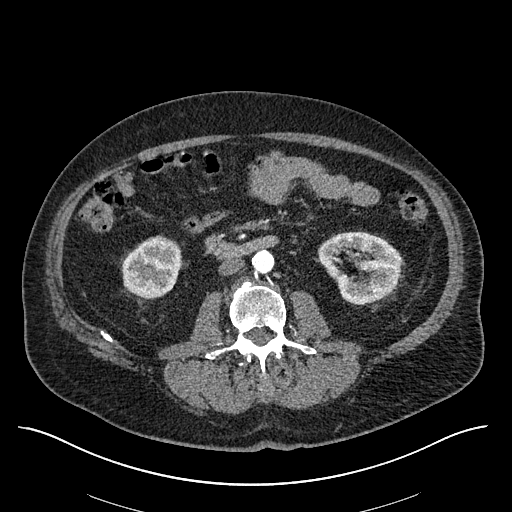
One axial slice (277 of 670, counting up from the lowest) of an arterial-phase abdominal CT acquired with 120 kVp, kernel I30f; each pixel is 0.861 mm and the slice is 1.00 mm thick.
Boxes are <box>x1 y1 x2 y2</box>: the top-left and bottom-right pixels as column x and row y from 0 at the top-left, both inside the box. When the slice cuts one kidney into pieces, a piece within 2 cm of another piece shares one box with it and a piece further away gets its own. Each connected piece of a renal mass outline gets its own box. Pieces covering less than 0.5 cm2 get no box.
Two boxes on this slice (two kidney boxes), listed by box centre from the image's left to its right. (1) Right kidney at <box>121 235 181 299</box> (outlined area 2,962 px, about 22.0 cm2). (2) At <box>318 231 401 304</box>: left kidney (outlined area 4,343 px, about 32.2 cm2). No renal mass is outlined on this slice.